One axial slice (242 of 1059, counting up from the lowest) of an arterial-phase abdominal CT acquired with 100 kVp, kernel I30f; each pixel is 0.811 mm and the slice is 1.00 mm thick.
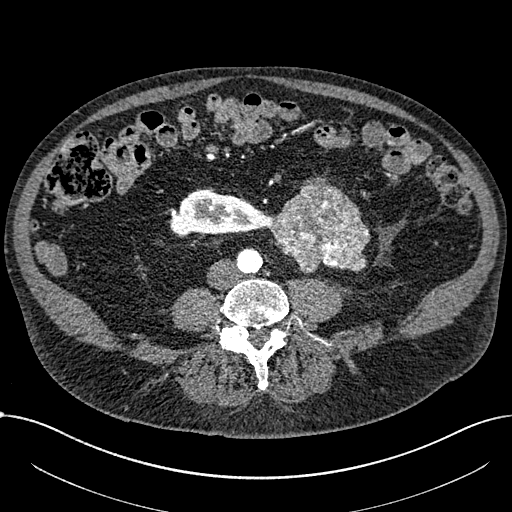
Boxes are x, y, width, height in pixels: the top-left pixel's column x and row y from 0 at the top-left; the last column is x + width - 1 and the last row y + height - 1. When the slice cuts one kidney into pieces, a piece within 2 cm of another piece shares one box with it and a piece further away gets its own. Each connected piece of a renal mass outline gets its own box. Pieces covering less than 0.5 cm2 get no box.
Boxed on this slice (one kidney box and one renal mass box), listed by box centre from the image's left to its right: (1) Box x 169, y 189, width 102, height 47: right part of the midline-crossing kidney (outlined area 3,383 px, about 22.2 cm2). (2) Renal mass, box x 269, y 177, width 102, height 97 (outlined area 6,633 px, about 43.6 cm2).